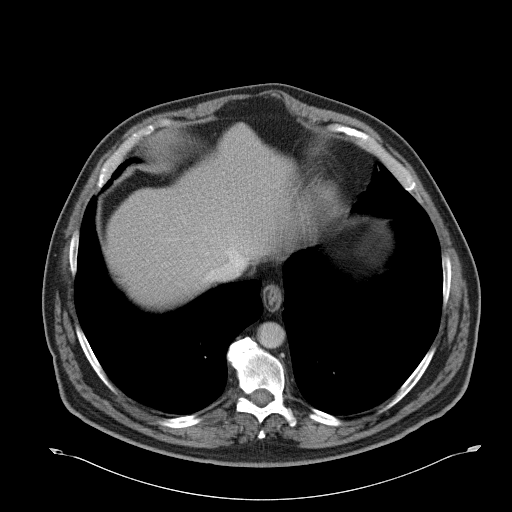
Axial slice 44 of 51 of a contrast-enhanced abdominal CT (slice 1 is the lowest), 120 kVp, kernel B31f; 5.00 mm slice thickness and 0.865 mm pixels.
No kidney and no renal mass is outlined on this slice; the outlines in this scan cover only the kidneys and the renal masses, so nothing is said about any other organ.